Abdominal CT with intravenous contrast, axial plane, 120 kVp, kernel B31f. Slice 346/734 from the bottom of the scan; thickness 2.00 mm; pixel size 0.971 mm.
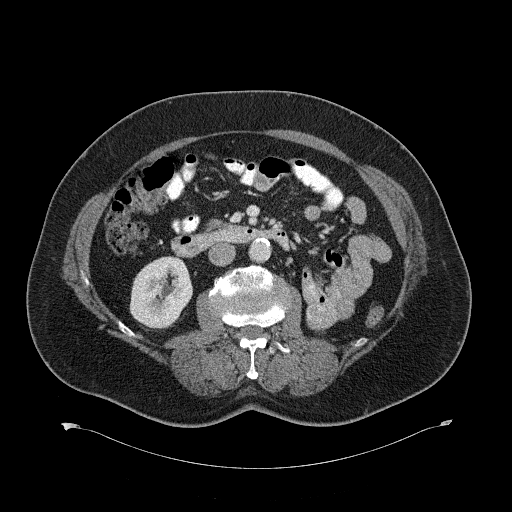
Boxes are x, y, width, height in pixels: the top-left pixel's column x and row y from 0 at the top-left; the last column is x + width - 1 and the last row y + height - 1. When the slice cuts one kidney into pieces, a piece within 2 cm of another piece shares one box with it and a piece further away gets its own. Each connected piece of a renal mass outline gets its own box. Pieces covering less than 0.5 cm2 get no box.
Right kidney, box x 129, y 257, width 64, height 73 (outlined area 3,521 px, about 33.2 cm2). No renal mass is outlined on this slice.